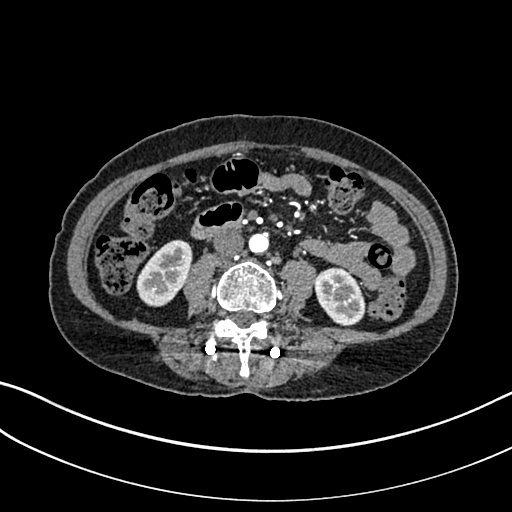
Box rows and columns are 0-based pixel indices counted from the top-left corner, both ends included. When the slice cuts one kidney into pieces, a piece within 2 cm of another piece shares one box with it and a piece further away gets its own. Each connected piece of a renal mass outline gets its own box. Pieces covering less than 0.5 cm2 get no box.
Slice 79/325 of a contrast-enhanced abdominal CT in the arterial phase, counting up from the lowest; pixel size 0.703 mm, slice thickness 1.00 mm. Two kidney boxes on this slice; by box centre, from the image's left to its right: (1) Right kidney, box rows 239–306, columns 136–192 (outlined area 2,606 px, about 12.9 cm2). (2) Left kidney, box rows 267–326, columns 314–365 (outlined area 2,270 px, about 11.2 cm2). No renal mass is outlined on this slice.
Tube voltage 100 kVp; convolution kernel I30f.